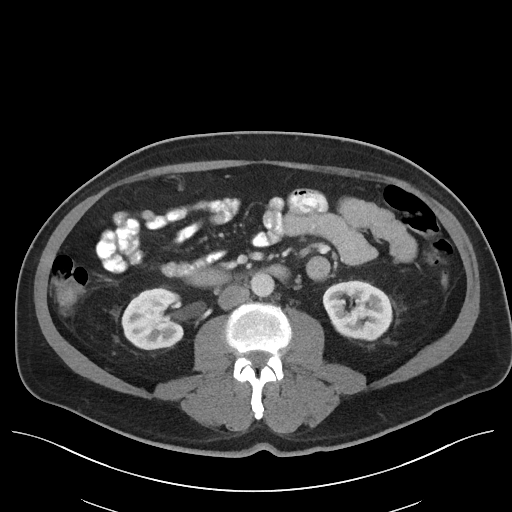
Axial slice 59 of 96 of a contrast-enhanced abdominal CT in the arterial phase (slice 1 is the lowest), 120 kVp, kernel I40f; 5.00 mm slice thickness and 0.840 mm pixels.
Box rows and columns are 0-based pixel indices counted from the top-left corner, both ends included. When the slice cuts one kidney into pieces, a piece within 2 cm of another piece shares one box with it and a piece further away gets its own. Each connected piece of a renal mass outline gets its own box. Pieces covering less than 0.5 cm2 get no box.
Two kidney boxes on this slice; by box centre, from the image's left to its right: (1) Right kidney at rows 287–349, columns 121–183 (outlined area 3,080 px, about 21.7 cm2). (2) Left kidney at rows 280–340, columns 323–392 (outlined area 3,232 px, about 22.8 cm2). This slice carries no renal mass outline.